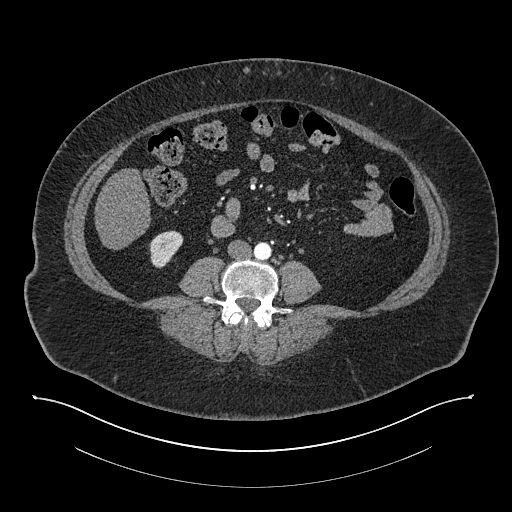
Abdominal CT with intravenous contrast, arterial phase, axial plane, 140 kVp, kernel I30f. Slice 337/673 from the bottom of the scan; thickness 1.00 mm; pixel size 0.957 mm.
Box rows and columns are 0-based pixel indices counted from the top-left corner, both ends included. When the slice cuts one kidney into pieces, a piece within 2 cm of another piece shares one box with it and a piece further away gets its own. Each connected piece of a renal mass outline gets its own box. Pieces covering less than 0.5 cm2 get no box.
Box rows 230–268, columns 149–183: right kidney (outlined area 910 px, about 8.3 cm2). This slice carries no renal mass outline.